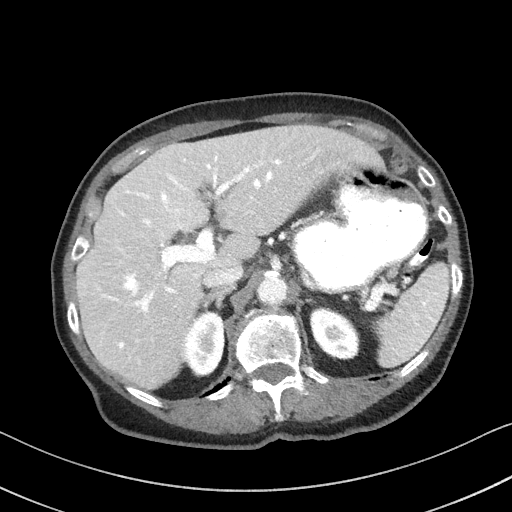
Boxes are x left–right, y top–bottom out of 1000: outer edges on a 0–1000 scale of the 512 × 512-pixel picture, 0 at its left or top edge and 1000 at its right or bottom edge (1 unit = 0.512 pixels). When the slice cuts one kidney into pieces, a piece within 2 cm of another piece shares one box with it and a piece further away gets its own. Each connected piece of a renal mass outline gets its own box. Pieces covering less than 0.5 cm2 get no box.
Slice 71/92 of a contrast-enhanced abdominal CT, counting up from the lowest; pixel size 0.684 mm, slice thickness 3.00 mm. Boxed on this slice (two kidney boxes), listed by box centre from the image's left to its right: (1) Right kidney at x 359–439, y 609–738 out of 1000 (outlined area 2,097 px, about 9.8 cm2). (2) Left kidney at x 604–705, y 600–705 out of 1000 (outlined area 2,053 px, about 9.6 cm2). This slice carries no renal mass outline.
Scan settings: 100 kVp, I41f reconstruction kernel.